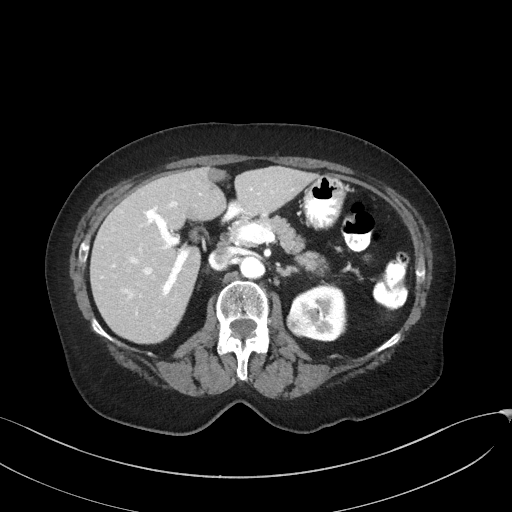
Arterial-phase contrast-enhanced abdominal CT, axial slice 98 of 129 (counted from the lowest slice); tube voltage 100 kVp, convolution kernel I41f; slices 3.00 mm thick, 0.779 mm per pixel.
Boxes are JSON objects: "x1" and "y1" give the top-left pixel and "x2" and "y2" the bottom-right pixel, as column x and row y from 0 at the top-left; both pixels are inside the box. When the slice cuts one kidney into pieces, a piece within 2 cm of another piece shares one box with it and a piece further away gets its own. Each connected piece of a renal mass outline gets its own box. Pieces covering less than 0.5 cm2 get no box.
One kidney box and one renal mass box on this slice; by box centre, from the image's left to its right: (1) Box {"x1": 287, "y1": 313, "x2": 312, "y2": 336}: left renal mass (outlined area 493 px, about 3.0 cm2). (2) Left kidney at {"x1": 289, "y1": 285, "x2": 346, "y2": 341} (outlined area 2,177 px, about 13.2 cm2).